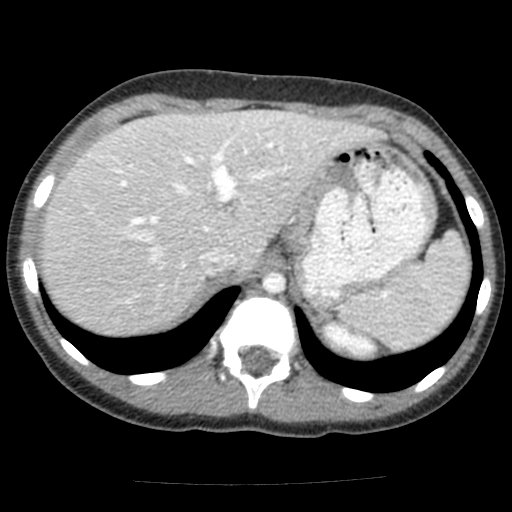
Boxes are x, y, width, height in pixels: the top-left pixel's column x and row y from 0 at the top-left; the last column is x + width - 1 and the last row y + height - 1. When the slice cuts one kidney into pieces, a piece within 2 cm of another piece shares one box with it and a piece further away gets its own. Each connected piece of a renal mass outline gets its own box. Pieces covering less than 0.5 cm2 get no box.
This is axial slice 100 of 117 (slice 1 is the lowest) of an arterial-phase abdominal CT with contrast; each pixel is 0.518 mm and the slice is 3.00 mm thick. Box x 321, y 319, width 60, height 41: left kidney (outlined area 1,494 px, about 4.0 cm2). No renal mass is outlined on this slice.
Acquired at 120 kVp and reconstructed with the FC12 kernel.